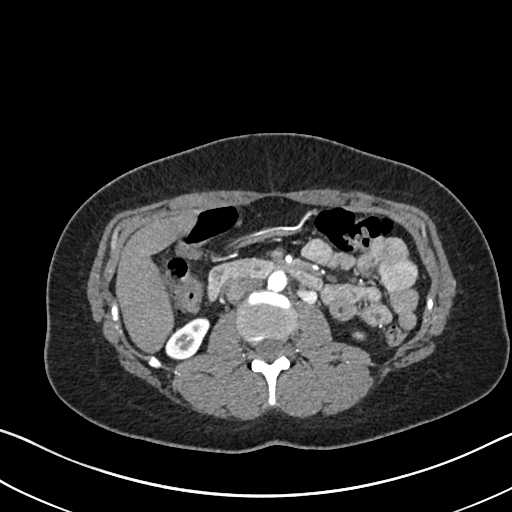
Axial slice 371 of 612 of a contrast-enhanced abdominal CT in the arterial phase (slice 1 is the lowest), 120 kVp, kernel I30f; 1.00 mm slice thickness and 0.703 mm pixels.
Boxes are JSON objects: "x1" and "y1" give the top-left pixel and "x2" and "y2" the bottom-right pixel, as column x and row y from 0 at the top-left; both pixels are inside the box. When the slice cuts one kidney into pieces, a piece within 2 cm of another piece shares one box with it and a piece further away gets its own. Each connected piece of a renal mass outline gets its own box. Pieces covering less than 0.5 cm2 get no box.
Two kidney boxes on this slice; by box centre, from the image's left to its right: (1) Right kidney at {"x1": 165, "y1": 317, "x2": 209, "y2": 358} (outlined area 1,202 px, about 5.9 cm2). (2) Box {"x1": 352, "y1": 331, "x2": 364, "y2": 340}: left kidney (outlined area 102 px, about 0.5 cm2). No renal mass is outlined on this slice.